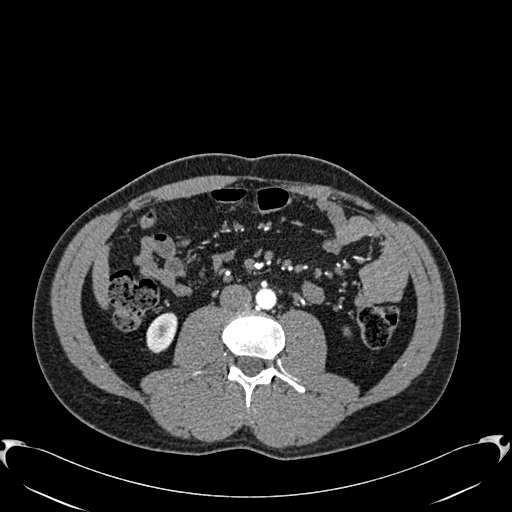
Arterial-phase contrast-enhanced abdominal CT, axial slice 269 of 512 (counted from the lowest slice); tube voltage 120 kVp, convolution kernel B30f; slices 1.00 mm thick, 0.771 mm per pixel.
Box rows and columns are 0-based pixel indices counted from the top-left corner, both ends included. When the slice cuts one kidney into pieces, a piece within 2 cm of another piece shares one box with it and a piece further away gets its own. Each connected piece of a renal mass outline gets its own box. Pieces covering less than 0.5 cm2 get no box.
Box rows 312–353, columns 146–177: right kidney (outlined area 977 px, about 5.8 cm2). No renal mass outline on this slice.